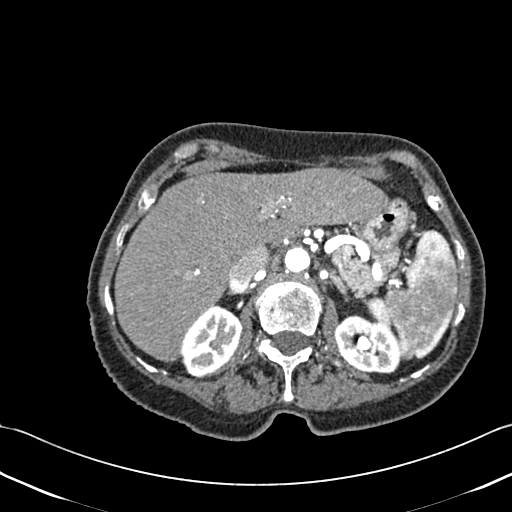
Abdominal CT with intravenous contrast, axial plane, 120 kVp, kernel B30f. Slice 307/433 from the bottom of the scan; thickness 1.00 mm; pixel size 0.672 mm.
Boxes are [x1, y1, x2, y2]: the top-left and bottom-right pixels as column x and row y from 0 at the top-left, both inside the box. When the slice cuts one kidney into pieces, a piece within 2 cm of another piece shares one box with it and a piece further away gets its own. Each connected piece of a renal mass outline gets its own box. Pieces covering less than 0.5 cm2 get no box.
Two boxes on this slice (two kidney boxes), listed by box centre from the image's left to its right. (1) Box [180, 304, 243, 377]: right kidney (outlined area 3,149 px, about 14.2 cm2). (2) Box [334, 314, 400, 373]: left kidney (outlined area 2,933 px, about 13.2 cm2). No renal mass is outlined on this slice.